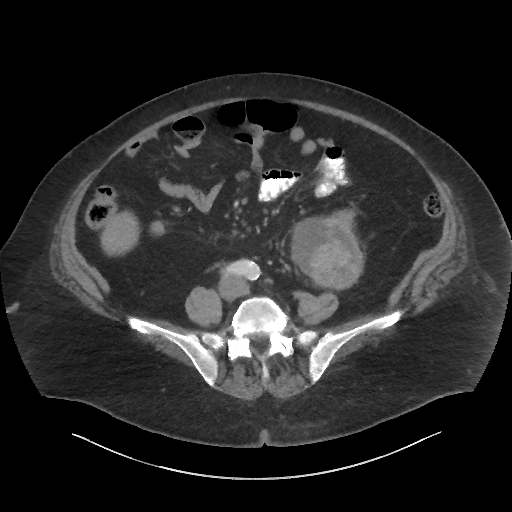
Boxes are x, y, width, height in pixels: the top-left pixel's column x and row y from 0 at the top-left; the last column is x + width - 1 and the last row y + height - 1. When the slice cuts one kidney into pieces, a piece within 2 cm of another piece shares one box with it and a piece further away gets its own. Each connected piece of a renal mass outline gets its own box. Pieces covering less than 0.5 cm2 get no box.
Slice 12/86 of a contrast-enhanced abdominal CT, counting up from the lowest; pixel size 0.977 mm, slice thickness 3.00 mm. Box x 290, y 211, width 76, height 77: left renal mass (outlined area 4,483 px, about 42.8 cm2); no kidney is outlined on this slice, but the same outlined renal mass comes within 1 cm of the kidney on another slice.
Scan settings: 140 kVp, I44f reconstruction kernel.